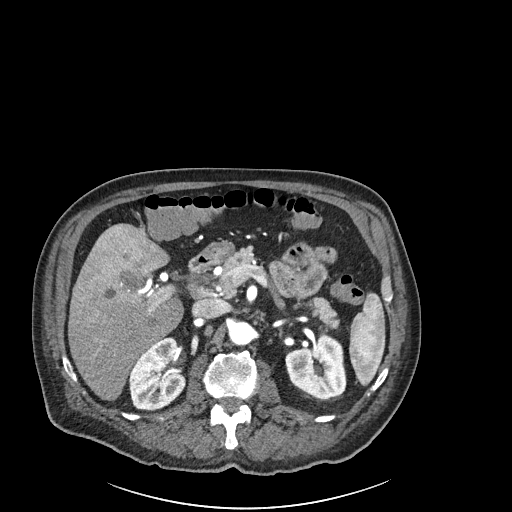
Arterial-phase contrast-enhanced abdominal CT, axial slice 135 of 261 (counted from the lowest slice); tube voltage 120 kVp, convolution kernel I30f; slices 2.00 mm thick, 0.939 mm per pixel.
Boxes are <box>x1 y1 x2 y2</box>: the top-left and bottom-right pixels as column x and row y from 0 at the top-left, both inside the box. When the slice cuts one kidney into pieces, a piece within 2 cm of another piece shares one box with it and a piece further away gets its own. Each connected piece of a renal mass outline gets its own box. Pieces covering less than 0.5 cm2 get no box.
Boxed on this slice (two kidney boxes), listed by box centre from the image's left to its right: (1) Right kidney: <box>129 337 186 410</box> (outlined area 3,079 px, about 27.2 cm2). (2) Left kidney: <box>285 334 346 398</box> (outlined area 2,960 px, about 26.1 cm2). No renal mass outline on this slice.